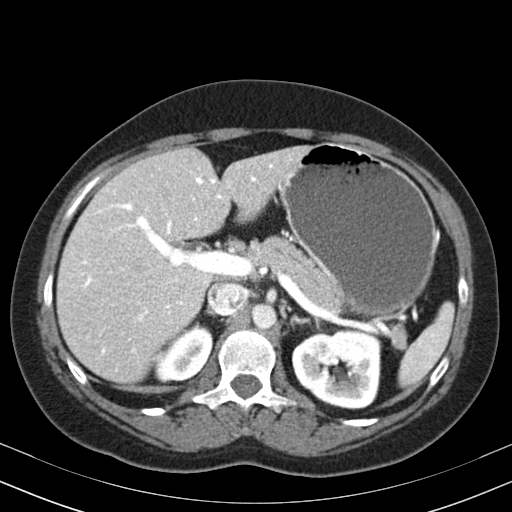
Axial slice 127 of 164 of a contrast-enhanced abdominal CT in the arterial phase (slice 1 is the lowest), 130 kVp, kernel B30s; 3.00 mm slice thickness and 0.664 mm pixels.
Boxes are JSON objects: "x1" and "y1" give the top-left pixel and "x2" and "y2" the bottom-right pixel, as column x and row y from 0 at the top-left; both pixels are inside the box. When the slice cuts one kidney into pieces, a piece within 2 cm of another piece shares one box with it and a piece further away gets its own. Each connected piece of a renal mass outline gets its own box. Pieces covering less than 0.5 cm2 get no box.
Two boxes on this slice (two kidney boxes), listed by box centre from the image's left to its right. (1) Right kidney at {"x1": 155, "y1": 325, "x2": 213, "y2": 381} (outlined area 2,243 px, about 9.9 cm2). (2) Left kidney, box {"x1": 292, "y1": 330, "x2": 381, "y2": 409} (outlined area 5,801 px, about 25.6 cm2). No renal mass is outlined on this slice.